One axial slice (180 of 325, counting up from the lowest) of an arterial-phase abdominal CT acquired with 100 kVp, kernel I30f; each pixel is 0.703 mm and the slice is 1.00 mm thick.
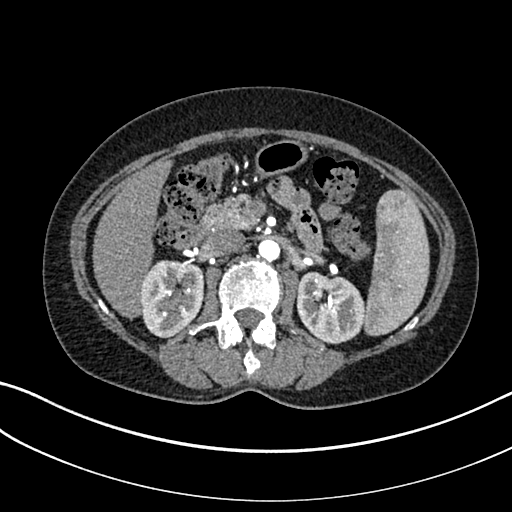
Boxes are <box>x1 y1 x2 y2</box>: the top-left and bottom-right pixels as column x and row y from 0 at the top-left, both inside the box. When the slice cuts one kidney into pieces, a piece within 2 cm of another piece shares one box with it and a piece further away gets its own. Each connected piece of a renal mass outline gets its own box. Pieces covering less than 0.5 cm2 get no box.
Two kidney boxes on this slice; by box centre, from the image's left to its right: (1) At <box>140 260 204 338</box>: right kidney (outlined area 4,012 px, about 19.8 cm2). (2) At <box>296 272 365 344</box>: left kidney (outlined area 3,880 px, about 19.2 cm2). This slice carries no renal mass outline.